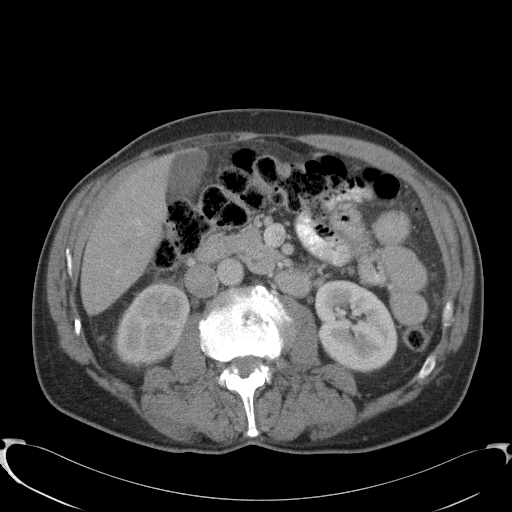
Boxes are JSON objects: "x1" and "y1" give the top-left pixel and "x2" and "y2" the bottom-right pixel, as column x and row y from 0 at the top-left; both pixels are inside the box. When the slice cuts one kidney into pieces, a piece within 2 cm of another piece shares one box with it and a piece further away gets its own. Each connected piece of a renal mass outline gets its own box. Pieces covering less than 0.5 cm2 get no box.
Slice 60/91 of a contrast-enhanced abdominal CT, counting up from the lowest; pixel size 0.762 mm, slice thickness 5.00 mm. Two boxes on this slice (two kidney boxes), listed by box centre from the image's left to its right. (1) Right kidney, box {"x1": 115, "y1": 283, "x2": 190, "y2": 367} (outlined area 4,753 px, about 27.6 cm2). (2) Left kidney, box {"x1": 314, "y1": 279, "x2": 397, "y2": 371} (outlined area 5,907 px, about 34.3 cm2). No renal mass is outlined on this slice.
Tube voltage 120 kVp; convolution kernel B41f.